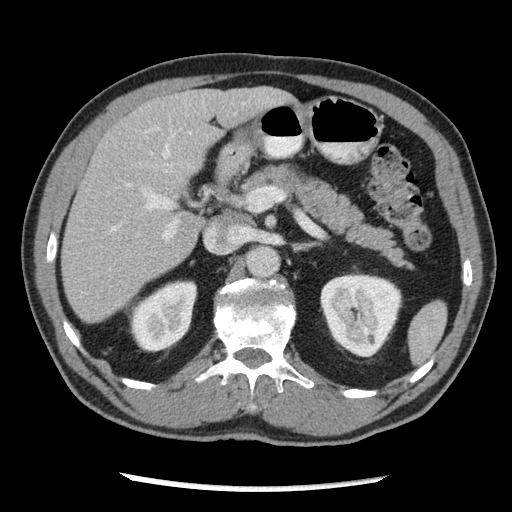
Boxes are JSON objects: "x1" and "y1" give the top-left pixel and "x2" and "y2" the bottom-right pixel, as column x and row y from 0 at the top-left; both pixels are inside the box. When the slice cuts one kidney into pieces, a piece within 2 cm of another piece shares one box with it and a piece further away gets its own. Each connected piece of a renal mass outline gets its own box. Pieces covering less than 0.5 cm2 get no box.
Slice 136/262 of a contrast-enhanced abdominal CT in the arterial phase, counting up from the lowest; pixel size 0.703 mm, slice thickness 2.50 mm. Two boxes on this slice (two kidney boxes), listed by box centre from the image's left to its right. (1) Right kidney at {"x1": 130, "y1": 279, "x2": 197, "y2": 352} (outlined area 3,623 px, about 17.9 cm2). (2) Box {"x1": 320, "y1": 272, "x2": 402, "y2": 357}: left kidney (outlined area 5,345 px, about 26.4 cm2). No renal mass outline on this slice.
Acquired at 120 kVp and reconstructed with the STANDARD kernel.